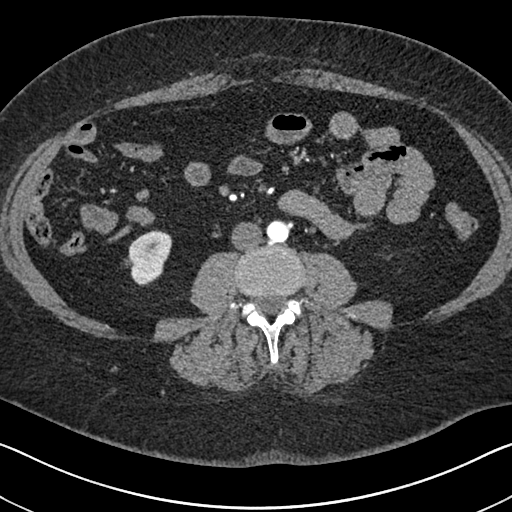
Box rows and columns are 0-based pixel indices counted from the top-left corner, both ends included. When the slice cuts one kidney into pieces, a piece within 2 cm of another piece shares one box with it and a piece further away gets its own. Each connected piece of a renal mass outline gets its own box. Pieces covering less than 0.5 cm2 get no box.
Slice 285/591 of a contrast-enhanced abdominal CT in the arterial phase, counting up from the lowest; pixel size 0.703 mm, slice thickness 1.00 mm. Right kidney, box rows 230–285, columns 124–172 (outlined area 1,851 px, about 9.2 cm2). No renal mass is outlined on this slice.
Scan settings: 140 kVp, I30f reconstruction kernel.